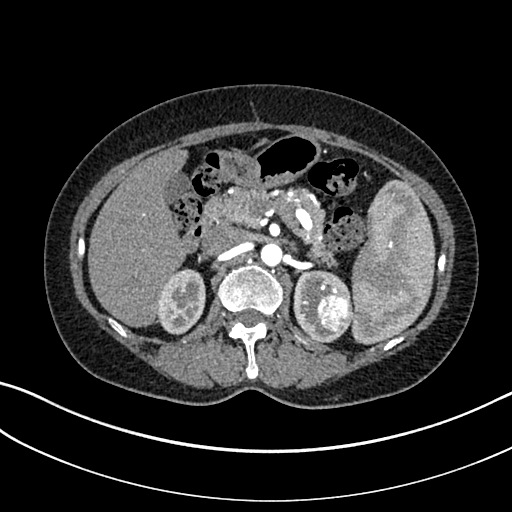
One axial slice (208 of 325, counting up from the lowest) of an arterial-phase abdominal CT acquired with 100 kVp, kernel I30f; each pixel is 0.703 mm and the slice is 1.00 mm thick.
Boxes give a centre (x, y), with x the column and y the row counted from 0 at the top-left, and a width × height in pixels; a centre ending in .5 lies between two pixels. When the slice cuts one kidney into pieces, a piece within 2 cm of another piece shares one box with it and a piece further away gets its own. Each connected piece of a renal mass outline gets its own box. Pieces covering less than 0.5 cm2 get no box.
Three boxes on this slice (two kidney boxes and one renal mass box), listed by box centre from the image's left to its right. (1) Box centre (181, 301.5), 49 × 68 pixels: right kidney (outlined area 2,531 px, about 12.5 cm2). (2) Box centre (322, 306), 59 × 73 pixels: left kidney (outlined area 2,345 px, about 11.6 cm2). (3) Box centre (334, 313), 37 × 39 pixels: left renal mass (outlined area 1,135 px, about 5.6 cm2).